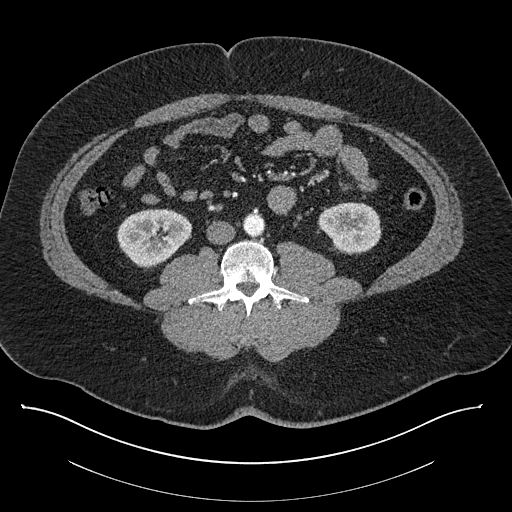
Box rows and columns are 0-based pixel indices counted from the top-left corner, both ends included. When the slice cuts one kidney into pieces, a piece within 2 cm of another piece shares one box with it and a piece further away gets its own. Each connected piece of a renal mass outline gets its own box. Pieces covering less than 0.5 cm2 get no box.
Slice 388/787 of a contrast-enhanced abdominal CT, counting up from the lowest; pixel size 0.910 mm, slice thickness 1.00 mm. Two kidney boxes on this slice; by box centre, from the image's left to its right: (1) Box rows 208–267, columns 117–192: right kidney (outlined area 3,252 px, about 26.9 cm2). (2) Left kidney, box rows 202–254, columns 317–381 (outlined area 2,590 px, about 21.5 cm2). This slice carries no renal mass outline.
Acquired at 140 kVp and reconstructed with the I30f kernel.